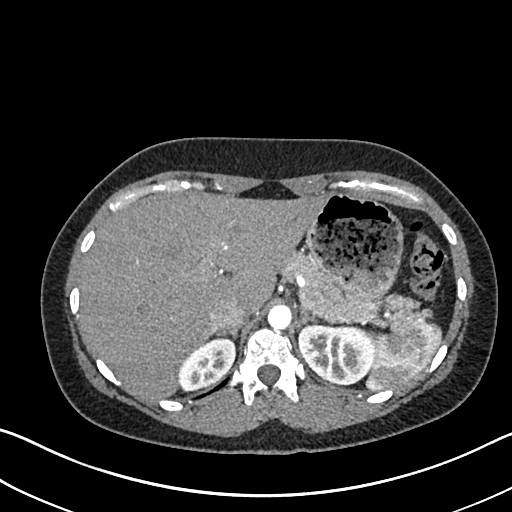
Axial slice 527 of 612 of a contrast-enhanced abdominal CT in the arterial phase (slice 1 is the lowest), 120 kVp, kernel I30f; 1.00 mm slice thickness and 0.703 mm pixels.
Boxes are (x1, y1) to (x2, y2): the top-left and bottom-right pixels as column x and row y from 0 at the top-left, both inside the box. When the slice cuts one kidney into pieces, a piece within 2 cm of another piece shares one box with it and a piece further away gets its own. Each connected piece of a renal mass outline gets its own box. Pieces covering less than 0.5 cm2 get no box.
Boxed on this slice (two kidney boxes), listed by box centre from the image's left to its right: (1) Right kidney, box (177, 336) to (236, 390) (outlined area 2,103 px, about 10.4 cm2). (2) Left kidney from (298, 323) to (375, 386) (outlined area 3,788 px, about 18.7 cm2). No renal mass is outlined on this slice.